Abdominal CT with intravenous contrast, axial plane, 100 kVp, kernel I40f. Slice 58/90 from the bottom of the scan; thickness 5.00 mm; pixel size 0.684 mm.
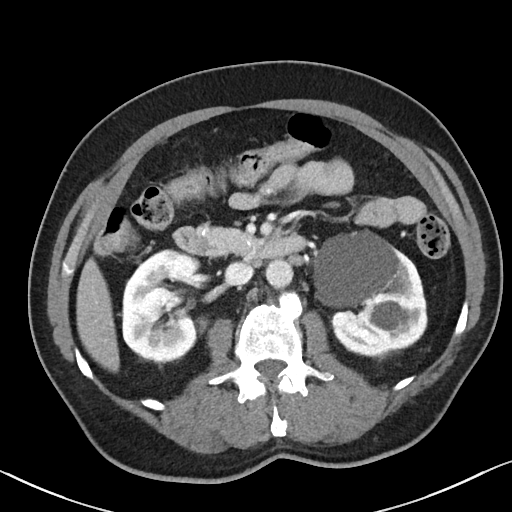
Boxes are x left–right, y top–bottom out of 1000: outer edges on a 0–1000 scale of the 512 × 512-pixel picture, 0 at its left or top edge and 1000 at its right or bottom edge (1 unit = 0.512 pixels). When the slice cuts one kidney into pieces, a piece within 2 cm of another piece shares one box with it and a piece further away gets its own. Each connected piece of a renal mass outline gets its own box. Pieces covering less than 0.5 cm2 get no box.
Two kidney boxes on this slice; by box centre, from the image's left to its right: (1) Box x 238–395, y 486–707 out of 1000: right kidney (outlined area 7,348 px, about 34.3 cm2). (2) Box x 611–836, y 447–701 out of 1000: left kidney (outlined area 10,908 px, about 51.0 cm2). This slice carries no renal mass outline.